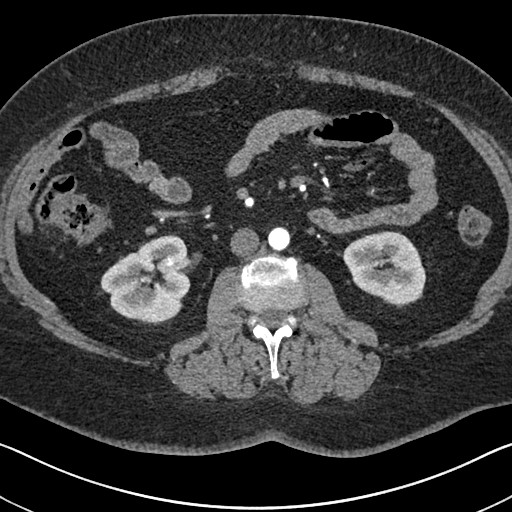
One axial slice (343 of 591, counting up from the lowest) of an arterial-phase abdominal CT acquired with 140 kVp, kernel I30f; each pixel is 0.703 mm and the slice is 1.00 mm thick.
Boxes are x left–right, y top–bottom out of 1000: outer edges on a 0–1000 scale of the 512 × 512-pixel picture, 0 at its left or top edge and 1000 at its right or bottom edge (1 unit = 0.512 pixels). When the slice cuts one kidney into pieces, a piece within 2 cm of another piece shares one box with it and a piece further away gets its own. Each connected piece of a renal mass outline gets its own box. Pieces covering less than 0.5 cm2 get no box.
Two kidney boxes on this slice; by box centre, from the image's left to its right: (1) Box x 195–377, y 457–637 out of 1000: right kidney (outlined area 5,824 px, about 28.8 cm2). (2) Left kidney, box x 668–834, y 451–596 out of 1000 (outlined area 4,578 px, about 22.6 cm2). No renal mass outline on this slice.